Axial slice 52 of 101 of a contrast-enhanced abdominal CT (slice 1 is the lowest), 100 kVp, kernel I40f; 5.00 mm slice thickness and 0.684 mm pixels.
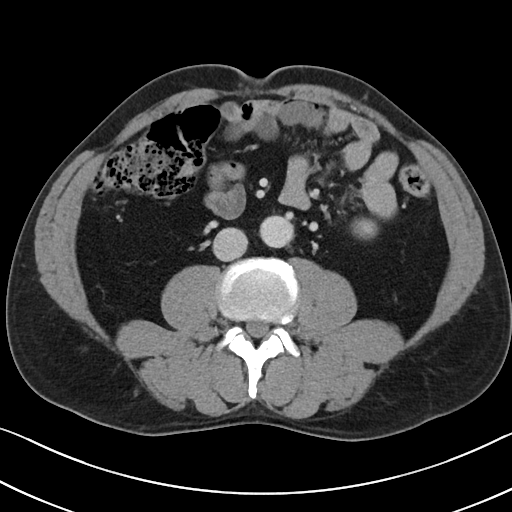
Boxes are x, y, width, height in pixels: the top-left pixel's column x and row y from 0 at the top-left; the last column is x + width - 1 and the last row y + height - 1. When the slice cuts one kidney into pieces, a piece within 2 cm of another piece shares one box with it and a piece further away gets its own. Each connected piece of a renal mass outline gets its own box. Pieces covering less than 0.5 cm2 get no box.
Box x 351, y 217, width 28, height 23: left kidney (outlined area 479 px, about 2.2 cm2). This slice carries no renal mass outline.